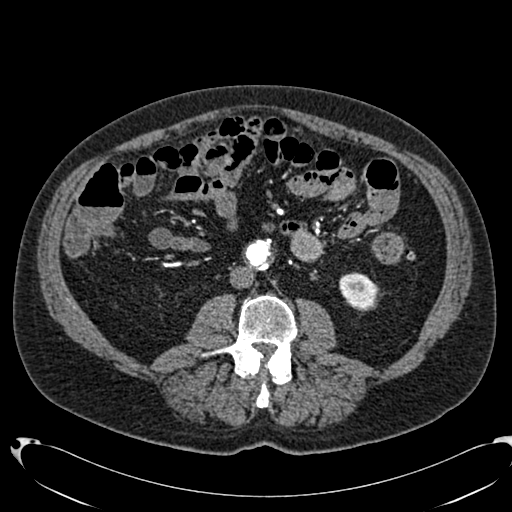
Axial slice 321 of 553 of a contrast-enhanced abdominal CT in the arterial phase (slice 1 is the lowest), 120 kVp, kernel B20f; 1.00 mm slice thickness and 0.773 mm pixels.
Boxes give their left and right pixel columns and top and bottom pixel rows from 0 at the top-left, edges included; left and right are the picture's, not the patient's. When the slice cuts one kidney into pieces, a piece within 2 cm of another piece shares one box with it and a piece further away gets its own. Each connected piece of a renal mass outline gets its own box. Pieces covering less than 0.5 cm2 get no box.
Box with left 339, top 272, right 377, bottom 311: left kidney (outlined area 1,154 px, about 6.9 cm2). No renal mass outline on this slice.